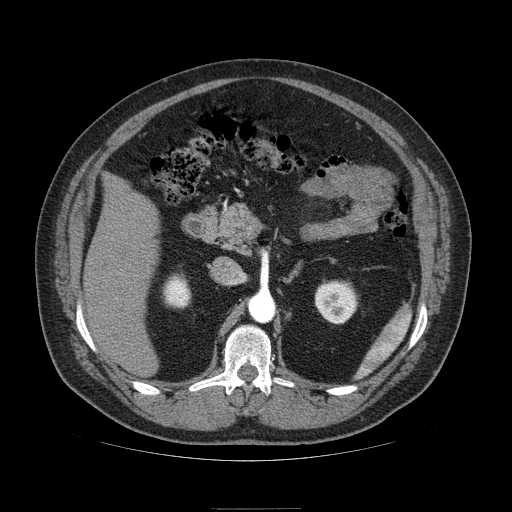
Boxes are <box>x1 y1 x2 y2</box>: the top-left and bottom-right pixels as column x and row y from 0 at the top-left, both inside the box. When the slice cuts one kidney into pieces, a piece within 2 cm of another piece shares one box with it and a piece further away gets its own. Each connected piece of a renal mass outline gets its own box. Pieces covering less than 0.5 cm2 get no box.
Arterial-phase contrast-enhanced abdominal CT, axial slice 64 of 121 (counted from the lowest slice); 2.50 mm thick, 0.861 mm per pixel. Two kidney boxes on this slice; by box centre, from the image's left to its right: (1) At <box>163 274 190 307</box>: right kidney (outlined area 760 px, about 5.6 cm2). (2) Left kidney: <box>315 280 357 324</box> (outlined area 1,483 px, about 11.0 cm2). No renal mass outline on this slice.
Acquired at 120 kVp and reconstructed with the STANDARD kernel.